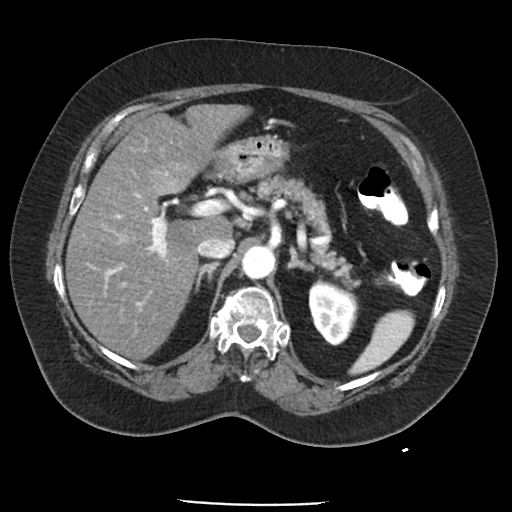
Arterial-phase contrast-enhanced abdominal CT, axial slice 67 of 85 (counted from the lowest slice); tube voltage 120 kVp, convolution kernel FC19; slices 5.00 mm thick, 0.741 mm per pixel.
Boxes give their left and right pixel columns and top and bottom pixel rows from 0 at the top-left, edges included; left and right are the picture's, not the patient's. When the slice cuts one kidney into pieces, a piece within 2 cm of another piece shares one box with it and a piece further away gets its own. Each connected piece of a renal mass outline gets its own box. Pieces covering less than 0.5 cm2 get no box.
Box with left 308, top 280, right 359, bottom 345: left kidney (outlined area 2,428 px, about 13.3 cm2). This slice carries no renal mass outline.